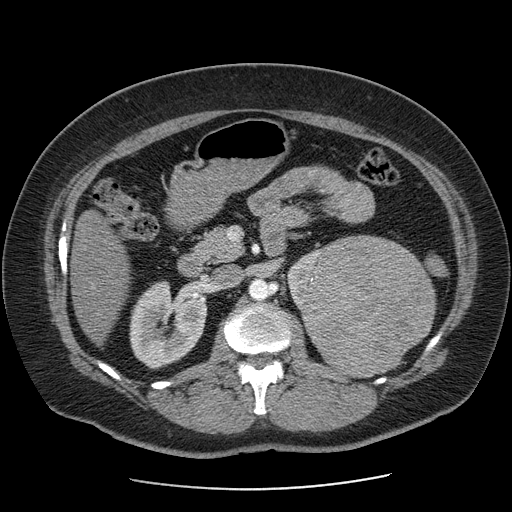
Contrast-enhanced abdominal CT, axial slice 49 of 103 (counted from the lowest slice); tube voltage 120 kVp, convolution kernel STANDARD; slices 2.50 mm thick, 0.736 mm per pixel.
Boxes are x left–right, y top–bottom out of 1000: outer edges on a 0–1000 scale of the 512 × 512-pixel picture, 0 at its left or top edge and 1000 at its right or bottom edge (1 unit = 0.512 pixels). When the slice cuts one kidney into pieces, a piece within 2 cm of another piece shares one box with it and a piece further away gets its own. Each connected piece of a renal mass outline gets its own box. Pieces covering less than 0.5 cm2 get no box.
Two kidney boxes and one renal mass box on this slice; by box centre, from the image's left to its right: (1) Right kidney at x 252–404, y 547–723 out of 1000 (outlined area 4,944 px, about 26.8 cm2). (2) Left kidney, box x 561–627, y 484–609 out of 1000 (outlined area 1,011 px, about 5.5 cm2). (3) Left renal mass, box x 588–854, y 459–740 out of 1000 (outlined area 14,778 px, about 80.1 cm2).